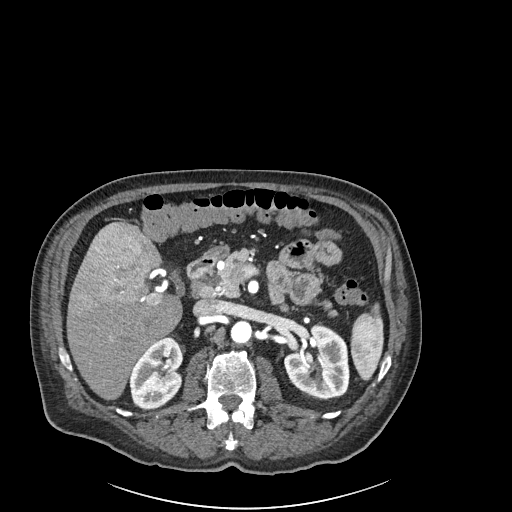
Axial slice 128 of 261 of a contrast-enhanced abdominal CT in the arterial phase (slice 1 is the lowest), 120 kVp, kernel I30f; 2.00 mm slice thickness and 0.939 mm pixels.
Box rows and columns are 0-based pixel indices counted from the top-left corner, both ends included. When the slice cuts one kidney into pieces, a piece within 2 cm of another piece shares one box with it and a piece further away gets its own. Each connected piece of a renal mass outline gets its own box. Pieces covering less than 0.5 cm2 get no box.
Boxed on this slice (two kidney boxes), listed by box centre from the image's left to its right: (1) Right kidney at rows 336–409, columns 128–183 (outlined area 2,956 px, about 26.1 cm2). (2) Left kidney, box rows 324–398, columns 283–349 (outlined area 3,684 px, about 32.5 cm2). No renal mass outline on this slice.